Abdominal CT with intravenous contrast, arterial phase, axial plane, 120 kVp, kernel I30f. Slice 211/541 from the bottom of the scan; thickness 1.00 mm; pixel size 0.834 mm.
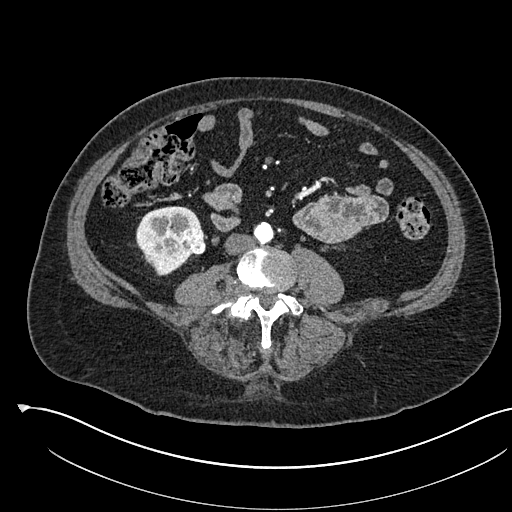
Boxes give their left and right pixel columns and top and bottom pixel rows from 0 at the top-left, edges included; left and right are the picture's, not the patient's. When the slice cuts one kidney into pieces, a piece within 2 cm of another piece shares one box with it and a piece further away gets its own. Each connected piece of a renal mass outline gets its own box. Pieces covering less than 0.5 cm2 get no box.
Two boxes on this slice (one kidney box and one renal mass box), listed by box centre from the image's left to its right. (1) Box with left 136, top 206, right 200, bottom 276: right kidney (outlined area 2,916 px, about 20.3 cm2). (2) Box with left 176, top 228, right 205, bottom 255: right renal mass (outlined area 655 px, about 4.6 cm2).